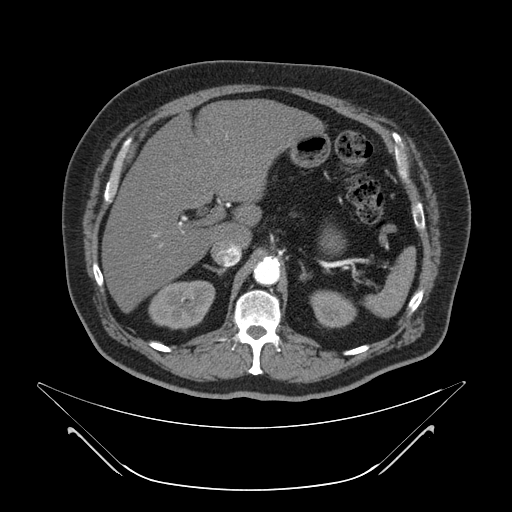
Abdominal CT with intravenous contrast, axial plane, 120 kVp, kernel B. Slice 39/64 from the bottom of the scan; thickness 4.00 mm; pixel size 0.977 mm.
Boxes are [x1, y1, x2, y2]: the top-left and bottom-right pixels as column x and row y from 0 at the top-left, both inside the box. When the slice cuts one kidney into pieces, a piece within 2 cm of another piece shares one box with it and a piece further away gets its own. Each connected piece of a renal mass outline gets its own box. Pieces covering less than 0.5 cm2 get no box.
Two boxes on this slice (two kidney boxes), listed by box centre from the image's left to its right. (1) Right kidney, box [148, 280, 215, 329] (outlined area 2,550 px, about 24.3 cm2). (2) Left kidney at [310, 290, 356, 328] (outlined area 1,345 px, about 12.8 cm2). No renal mass is outlined on this slice.